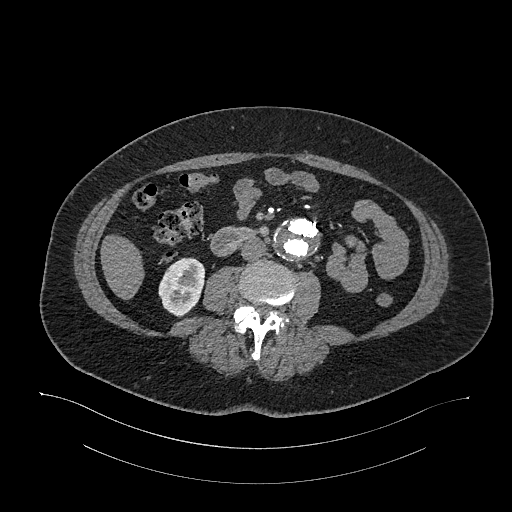
One axial slice (560 of 987, counting up from the lowest) of an arterial-phase abdominal CT acquired with 120 kVp, kernel I26f; each pixel is 0.977 mm and the slice is 1.00 mm thick.
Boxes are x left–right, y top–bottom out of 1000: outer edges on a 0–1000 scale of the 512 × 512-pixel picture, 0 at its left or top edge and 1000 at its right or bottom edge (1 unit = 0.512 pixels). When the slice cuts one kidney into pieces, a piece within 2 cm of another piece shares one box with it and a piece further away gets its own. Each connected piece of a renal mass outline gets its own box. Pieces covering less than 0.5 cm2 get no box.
Right kidney at x 309–402, y 502–621 out of 1000 (outlined area 2,090 px, about 19.9 cm2). This slice carries no renal mass outline.